One axial slice (287 of 439, counting up from the lowest) of a contrast-enhanced abdominal CT acquired with 100 kVp, kernel I40f; each pixel is 0.850 mm and the slice is 2.00 mm thick.
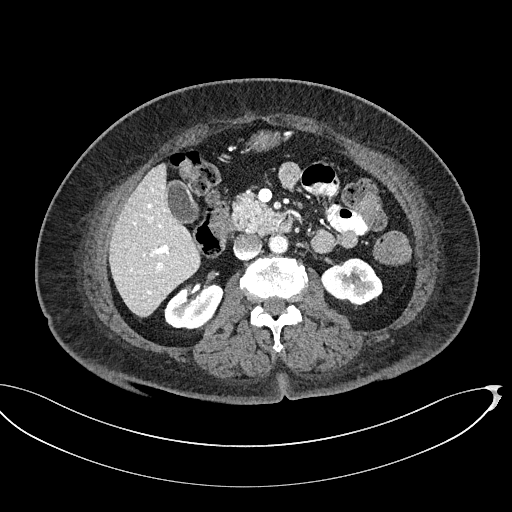
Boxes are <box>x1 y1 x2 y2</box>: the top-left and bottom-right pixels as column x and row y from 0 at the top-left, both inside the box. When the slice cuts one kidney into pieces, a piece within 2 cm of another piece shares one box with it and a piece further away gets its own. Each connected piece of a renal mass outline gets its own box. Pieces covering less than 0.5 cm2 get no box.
Two boxes on this slice (two kidney boxes), listed by box centre from the image's left to its right. (1) At <box>164 283 223 329</box>: right kidney (outlined area 2,001 px, about 14.4 cm2). (2) Left kidney: <box>321 258 382 309</box> (outlined area 2,120 px, about 15.3 cm2). No renal mass outline on this slice.